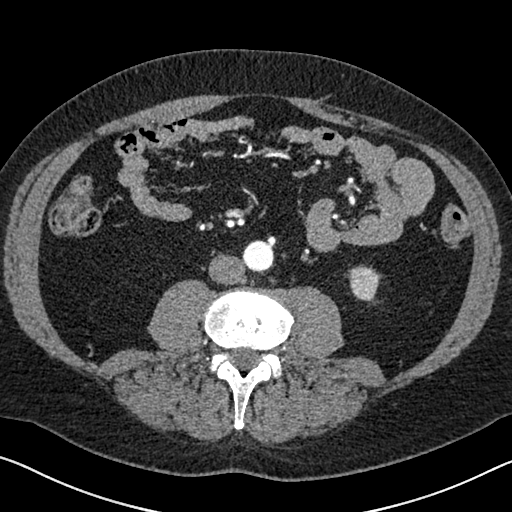
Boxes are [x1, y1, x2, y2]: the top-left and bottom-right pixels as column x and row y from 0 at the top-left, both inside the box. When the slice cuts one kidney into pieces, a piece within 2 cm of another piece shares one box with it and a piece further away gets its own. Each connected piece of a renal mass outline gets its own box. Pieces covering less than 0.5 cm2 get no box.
Arterial-phase contrast-enhanced abdominal CT, axial slice 283 of 626 (counted from the lowest slice); 1.00 mm thick, 0.703 mm per pixel. Box [347, 264, 381, 302]: left kidney (outlined area 915 px, about 4.5 cm2). No renal mass outline on this slice.
Tube voltage 120 kVp; convolution kernel I30f.